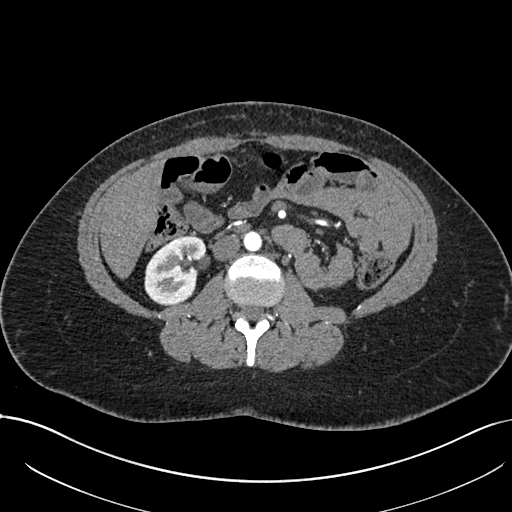
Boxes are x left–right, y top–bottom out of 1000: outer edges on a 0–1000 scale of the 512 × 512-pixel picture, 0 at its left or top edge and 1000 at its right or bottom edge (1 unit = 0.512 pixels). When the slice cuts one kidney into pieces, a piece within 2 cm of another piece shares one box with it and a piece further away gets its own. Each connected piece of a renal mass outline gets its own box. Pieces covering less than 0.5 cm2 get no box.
Arterial-phase contrast-enhanced abdominal CT, axial slice 370 of 738 (counted from the lowest slice); 1.00 mm thick, 0.789 mm per pixel. Right kidney at x 281–404, y 461–600 out of 1000 (outlined area 3,259 px, about 20.3 cm2). This slice carries no renal mass outline.
Scan settings: 120 kVp, I30f reconstruction kernel.